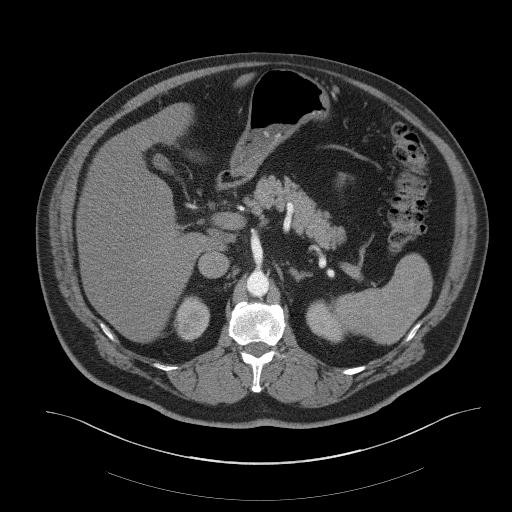
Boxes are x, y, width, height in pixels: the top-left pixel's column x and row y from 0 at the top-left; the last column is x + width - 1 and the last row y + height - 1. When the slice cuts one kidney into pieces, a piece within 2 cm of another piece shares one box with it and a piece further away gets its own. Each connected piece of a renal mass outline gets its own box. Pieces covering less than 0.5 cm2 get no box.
Contrast-enhanced abdominal CT, axial slice 39 of 61 (counted from the lowest slice); 3.00 mm thick, 0.939 mm per pixel. Two kidney boxes on this slice; by box centre, from the image's left to its right: (1) Box x 173, y 295, width 38, height 47: right kidney (outlined area 1,253 px, about 11.1 cm2). (2) Left kidney at x 306, y 299, width 40, height 45 (outlined area 1,222 px, about 10.8 cm2). This slice carries no renal mass outline.
Acquired at 140 kVp and reconstructed with the B41f kernel.